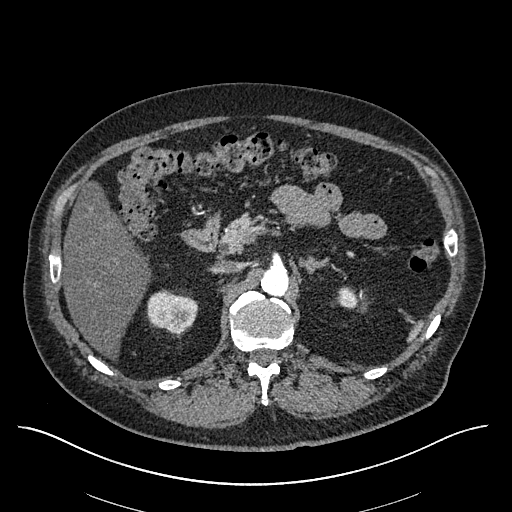
Abdominal CT with intravenous contrast, arterial phase, axial plane, 120 kVp, kernel I30f. Slice 393/670 from the bottom of the scan; thickness 1.00 mm; pixel size 0.861 mm.
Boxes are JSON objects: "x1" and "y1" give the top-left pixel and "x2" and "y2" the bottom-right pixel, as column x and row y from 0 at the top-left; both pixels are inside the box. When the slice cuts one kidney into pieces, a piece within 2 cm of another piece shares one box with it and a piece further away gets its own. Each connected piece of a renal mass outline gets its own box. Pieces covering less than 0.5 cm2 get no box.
Two kidney boxes on this slice; by box centre, from the image's left to its right: (1) Right kidney at {"x1": 146, "y1": 290, "x2": 196, "y2": 334} (outlined area 1,686 px, about 12.5 cm2). (2) Left kidney, box {"x1": 337, "y1": 287, "x2": 358, "y2": 308} (outlined area 356 px, about 2.6 cm2). No renal mass outline on this slice.